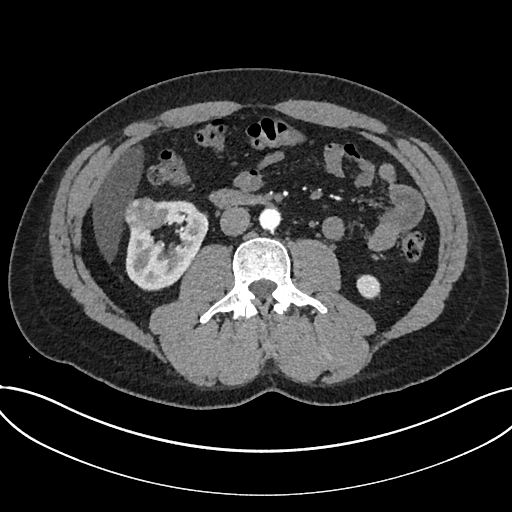
Axial slice 357 of 735 of a contrast-enhanced abdominal CT in the arterial phase (slice 1 is the lowest), 120 kVp, kernel I30f; 1.00 mm slice thickness and 0.789 mm pixels.
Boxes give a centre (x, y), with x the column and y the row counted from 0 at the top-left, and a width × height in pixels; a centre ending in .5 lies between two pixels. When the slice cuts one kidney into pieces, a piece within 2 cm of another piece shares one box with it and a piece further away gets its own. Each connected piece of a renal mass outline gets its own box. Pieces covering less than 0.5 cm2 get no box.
Three boxes on this slice (two kidney boxes and one renal mass box), listed by box centre from the image's left to its right. (1) Renal mass, box centre (142.5, 214.5), 40 × 36 pixels (outlined area 1,098 px, about 6.8 cm2). (2) Kidney, box centre (166.5, 245.5), 84 × 92 pixels (outlined area 4,639 px, about 28.9 cm2). (3) Box centre (368, 286.5), 25 × 26 pixels: kidney (outlined area 496 px, about 3.1 cm2).